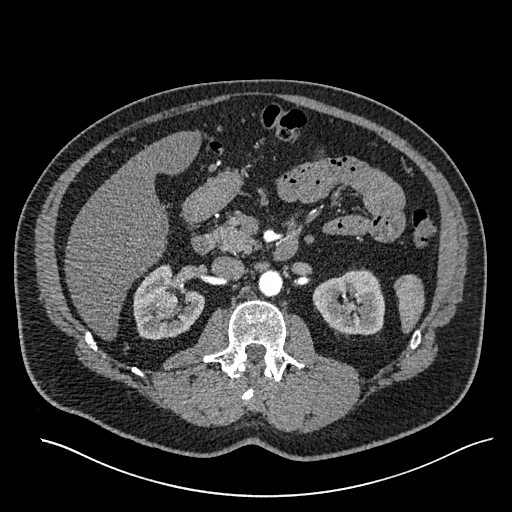
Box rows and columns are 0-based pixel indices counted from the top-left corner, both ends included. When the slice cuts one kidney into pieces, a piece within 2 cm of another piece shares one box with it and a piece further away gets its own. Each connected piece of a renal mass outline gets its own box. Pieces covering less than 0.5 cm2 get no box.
Arterial-phase contrast-enhanced abdominal CT, axial slice 347 of 527 (counted from the lowest slice); 1.00 mm thick, 0.859 mm per pixel. Three boxes on this slice (two kidney boxes and one renal mass box), listed by box centre from the image's left to its right. (1) Box rows 290–311, columns 155–177: right renal mass (outlined area 406 px, about 3.0 cm2). (2) Right kidney, box rows 264–340, columns 133–204 (outlined area 3,402 px, about 25.1 cm2). (3) Left kidney, box rows 268–337, columns 312–385 (outlined area 3,739 px, about 27.6 cm2).
Tube voltage 120 kVp; convolution kernel I30f.